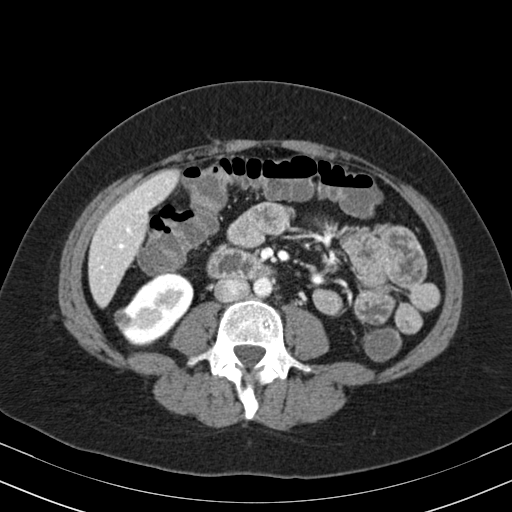
Arterial-phase contrast-enhanced abdominal CT, axial slice 95 of 164 (counted from the lowest slice); tube voltage 130 kVp, convolution kernel B30s; slices 3.00 mm thick, 0.664 mm per pixel.
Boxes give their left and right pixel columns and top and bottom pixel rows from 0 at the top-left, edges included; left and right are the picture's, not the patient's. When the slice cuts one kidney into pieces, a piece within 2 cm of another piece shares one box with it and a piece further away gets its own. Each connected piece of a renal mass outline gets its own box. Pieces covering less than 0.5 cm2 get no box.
One kidney box and one renal mass box on this slice; by box centre, from the image's left to its right: (1) Right renal mass in the box with left 114, top 308, right 133, bottom 330 (outlined area 287 px, about 1.3 cm2). (2) Right kidney, the box with left 120, top 273, right 193, bottom 344 (outlined area 3,431 px, about 15.1 cm2).